Arterial-phase contrast-enhanced abdominal CT, axial slice 428 of 553 (counted from the lowest slice); tube voltage 120 kVp, convolution kernel B20f; slices 1.00 mm thick, 0.773 mm per pixel.
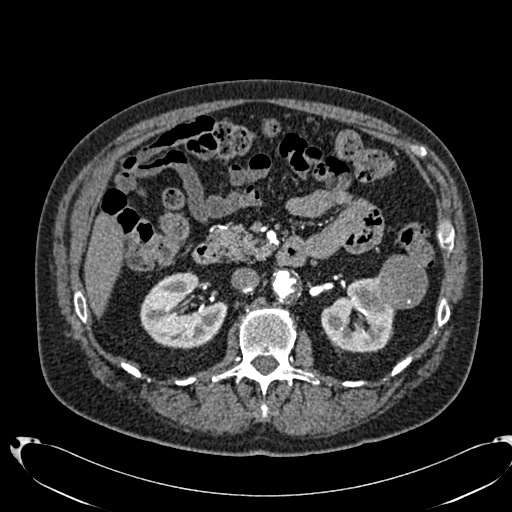
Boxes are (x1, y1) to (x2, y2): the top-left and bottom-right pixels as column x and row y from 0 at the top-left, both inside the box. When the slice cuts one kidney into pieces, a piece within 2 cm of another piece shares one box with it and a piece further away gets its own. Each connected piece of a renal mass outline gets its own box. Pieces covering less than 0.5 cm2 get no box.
Three boxes on this slice (two kidney boxes and one renal mass box), listed by box centre from the image's left to its right. (1) Box (140, 271) to (227, 349): right kidney (outlined area 4,769 px, about 28.5 cm2). (2) Box (321, 276) to (396, 352): left kidney (outlined area 3,730 px, about 22.3 cm2). (3) Left renal mass from (374, 255) to (427, 309) (outlined area 2,309 px, about 13.8 cm2).